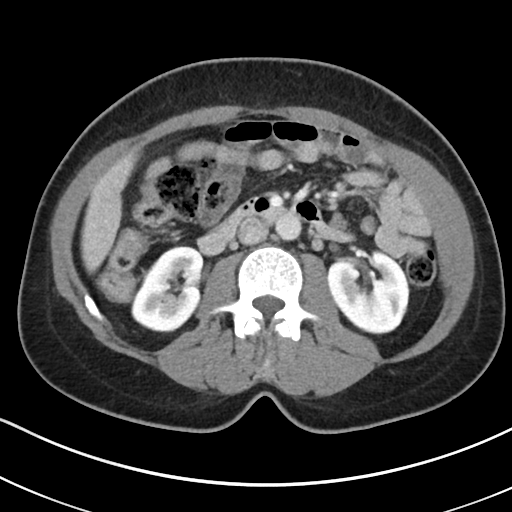
Axial slice 107 of 178 of a contrast-enhanced abdominal CT (slice 1 is the lowest), 100 kVp, kernel I30f; 5.00 mm slice thickness and 0.650 mm pixels.
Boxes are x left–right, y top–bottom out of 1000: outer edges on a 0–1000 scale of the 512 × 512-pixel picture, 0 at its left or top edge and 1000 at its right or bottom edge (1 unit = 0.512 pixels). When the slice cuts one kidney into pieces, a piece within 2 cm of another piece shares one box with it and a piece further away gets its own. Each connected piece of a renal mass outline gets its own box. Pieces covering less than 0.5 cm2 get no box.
Two kidney boxes on this slice; by box centre, from the image's left to its right: (1) Right kidney at x 256–400, y 479–650 out of 1000 (outlined area 4,652 px, about 19.7 cm2). (2) Box x 639–801, y 486–654 out of 1000: left kidney (outlined area 5,348 px, about 22.6 cm2). This slice carries no renal mass outline.